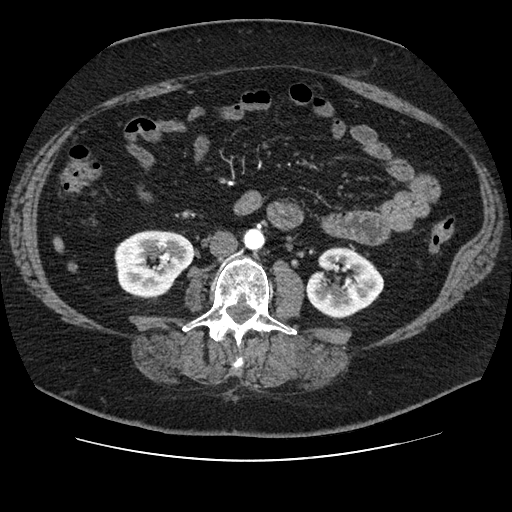
One axial slice (35 of 106, counting up from the lowest) of an arterial-phase abdominal CT acquired with 120 kVp, kernel STANDARD; each pixel is 0.742 mm and the slice is 2.50 mm thick.
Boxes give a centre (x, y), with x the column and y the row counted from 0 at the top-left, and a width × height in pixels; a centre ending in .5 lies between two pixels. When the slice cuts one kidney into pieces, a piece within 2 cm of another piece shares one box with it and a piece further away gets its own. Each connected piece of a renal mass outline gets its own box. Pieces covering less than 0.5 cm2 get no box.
Two kidney boxes on this slice; by box centre, from the image's left to its right: (1) Box centre (154.5, 264.5), 82 × 70 pixels: right kidney (outlined area 4,178 px, about 23.0 cm2). (2) Left kidney in a box with centre (344.5, 282.5), 80 × 72 pixels (outlined area 3,961 px, about 21.8 cm2). No renal mass outline on this slice.